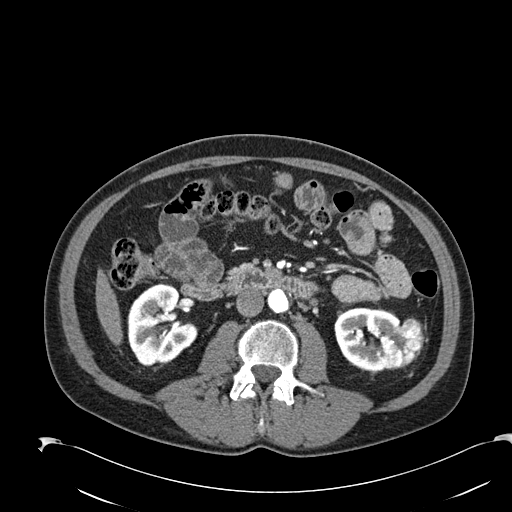
Axial slice 95 of 274 of a contrast-enhanced abdominal CT in the arterial phase (slice 1 is the lowest), 120 kVp, kernel B30f; 2.00 mm slice thickness and 0.809 mm pixels.
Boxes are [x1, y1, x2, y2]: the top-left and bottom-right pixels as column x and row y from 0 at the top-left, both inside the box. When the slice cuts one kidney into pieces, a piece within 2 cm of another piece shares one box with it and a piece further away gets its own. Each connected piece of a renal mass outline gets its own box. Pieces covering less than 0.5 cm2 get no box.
Boxed on this slice (two kidney boxes and one renal mass box), listed by box centre from the image's left to its right: (1) Right kidney, box [127, 285, 196, 366] (outlined area 4,074 px, about 26.6 cm2). (2) Left kidney at [334, 307, 400, 370] (outlined area 2,770 px, about 18.1 cm2). (3) Left renal mass, box [377, 317, 423, 369] (outlined area 1,686 px, about 11.0 cm2).